Abdominal CT with intravenous contrast, arterial phase, axial plane, 120 kVp, kernel STANDARD. Slice 230/389 from the bottom of the scan; thickness 1.25 mm; pixel size 0.869 mm.
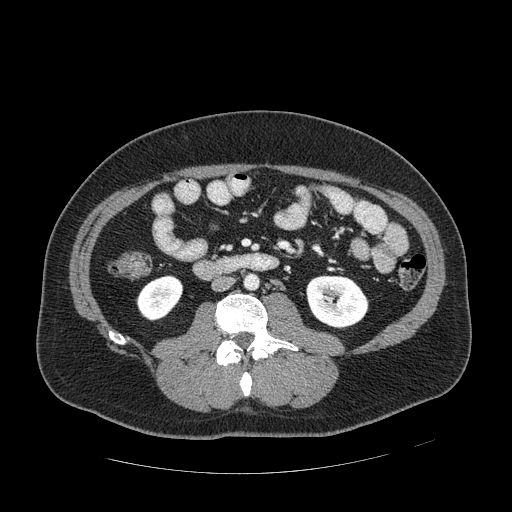
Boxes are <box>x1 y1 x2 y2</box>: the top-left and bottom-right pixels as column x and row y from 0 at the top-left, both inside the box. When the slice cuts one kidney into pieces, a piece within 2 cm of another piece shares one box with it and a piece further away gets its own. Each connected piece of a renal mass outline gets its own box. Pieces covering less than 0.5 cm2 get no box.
Two kidney boxes on this slice; by box centre, from the image's left to its right: (1) At <box>136 275 183 321</box>: right kidney (outlined area 1,559 px, about 11.8 cm2). (2) Left kidney: <box>306 274 368 328</box> (outlined area 2,645 px, about 20.0 cm2). No renal mass outline on this slice.